Axial slice 321 of 735 of a contrast-enhanced abdominal CT in the arterial phase (slice 1 is the lowest), 120 kVp, kernel I30f; 1.00 mm slice thickness and 0.789 mm pixels.
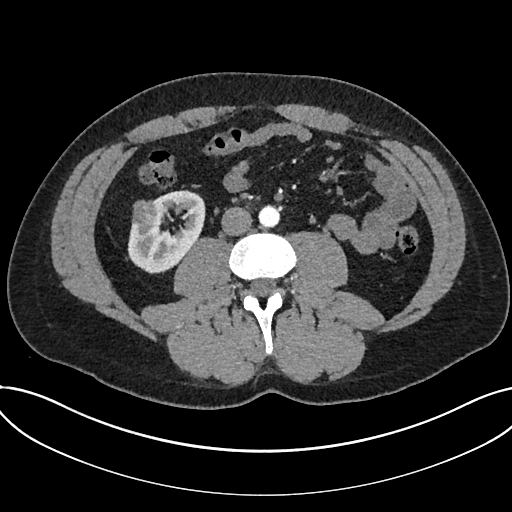
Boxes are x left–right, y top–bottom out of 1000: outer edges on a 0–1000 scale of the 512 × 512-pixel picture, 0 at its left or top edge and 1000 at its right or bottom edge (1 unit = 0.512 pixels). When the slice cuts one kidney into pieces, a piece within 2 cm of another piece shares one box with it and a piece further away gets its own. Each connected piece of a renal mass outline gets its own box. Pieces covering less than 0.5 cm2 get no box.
One kidney box and one renal mass box on this slice; by box centre, from the image's left to its right: (1) Renal mass, box x 258–314, y 391–445 out of 1000 (outlined area 665 px, about 4.1 cm2). (2) Box x 250–400, y 371–535 out of 1000: kidney (outlined area 3,943 px, about 24.5 cm2).